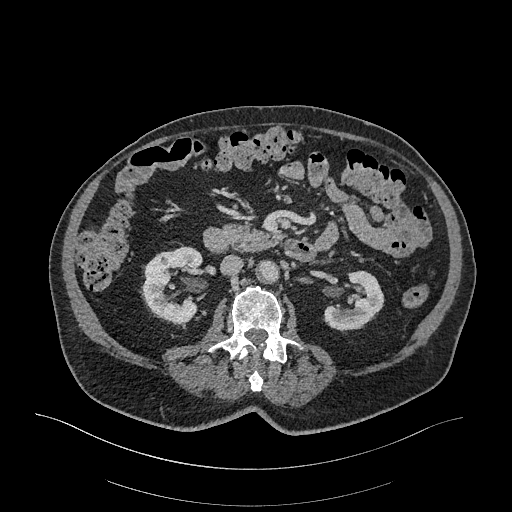
Abdominal CT with intravenous contrast, arterial phase, axial plane, 120 kVp, kernel I26f. Slice 153/470 from the bottom of the scan; thickness 1.00 mm; pixel size 0.938 mm.
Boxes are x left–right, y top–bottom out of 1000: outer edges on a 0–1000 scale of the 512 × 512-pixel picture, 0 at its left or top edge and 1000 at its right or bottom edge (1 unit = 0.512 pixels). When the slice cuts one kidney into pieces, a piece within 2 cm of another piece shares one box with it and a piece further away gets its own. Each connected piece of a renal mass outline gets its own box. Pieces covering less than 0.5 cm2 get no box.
Two boxes on this slice (two kidney boxes), listed by box centre from the image's left to its right. (1) Box x 271–396, y 479–635 out of 1000: right kidney (outlined area 3,471 px, about 30.5 cm2). (2) Left kidney at x 631–752, y 527–646 out of 1000 (outlined area 2,353 px, about 20.7 cm2). No renal mass outline on this slice.